Axial slice 68 of 101 of a contrast-enhanced abdominal CT (slice 1 is the lowest), 100 kVp, kernel I40f; 5.00 mm slice thickness and 0.684 mm pixels.
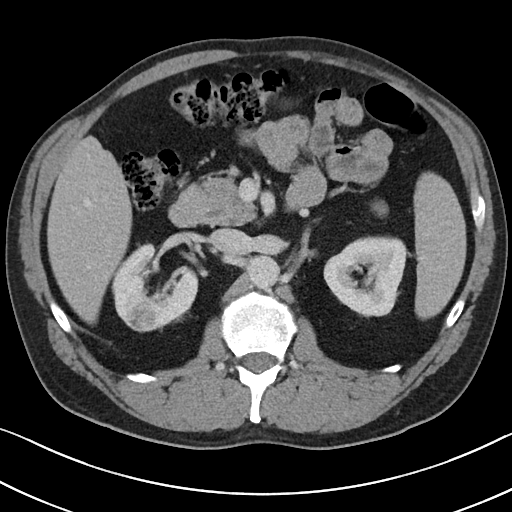
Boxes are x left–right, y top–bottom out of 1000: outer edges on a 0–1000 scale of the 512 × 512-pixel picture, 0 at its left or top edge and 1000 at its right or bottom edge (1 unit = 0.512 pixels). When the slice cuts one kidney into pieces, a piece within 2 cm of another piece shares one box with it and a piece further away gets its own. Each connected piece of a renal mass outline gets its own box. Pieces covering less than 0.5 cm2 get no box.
Boxed on this slice (two kidney boxes and one renal mass box), listed by box centre from the image's left to its right: (1) Right renal mass at x 238–305, y 588–650 out of 1000 (outlined area 804 px, about 3.8 cm2). (2) Right kidney, box x 217–389, y 475–645 out of 1000 (outlined area 4,167 px, about 19.5 cm2). (3) Box x 631–797, y 461–619 out of 1000: left kidney (outlined area 4,995 px, about 23.3 cm2).